Contrast-enhanced abdominal CT, axial slice 84 of 107 (counted from the lowest slice); tube voltage 120 kVp, convolution kernel B31f; slices 5.00 mm thick, 0.941 mm per pixel.
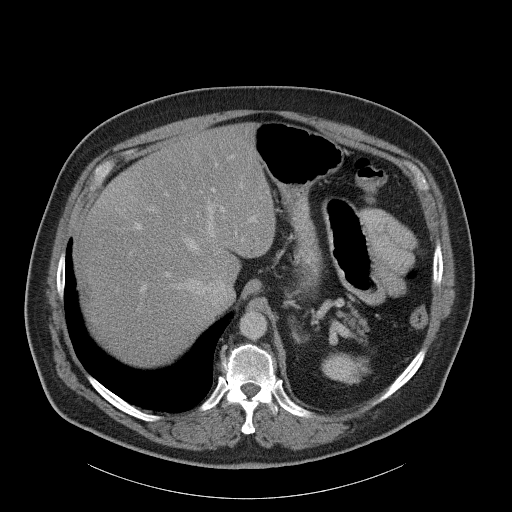
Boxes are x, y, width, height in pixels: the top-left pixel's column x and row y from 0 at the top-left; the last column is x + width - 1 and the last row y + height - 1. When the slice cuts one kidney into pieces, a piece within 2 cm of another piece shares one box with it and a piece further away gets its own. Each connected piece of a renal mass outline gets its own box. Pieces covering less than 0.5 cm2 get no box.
Left kidney, box x 321, y 352, width 50, height 33 (outlined area 1,157 px, about 10.3 cm2). No renal mass outline on this slice.